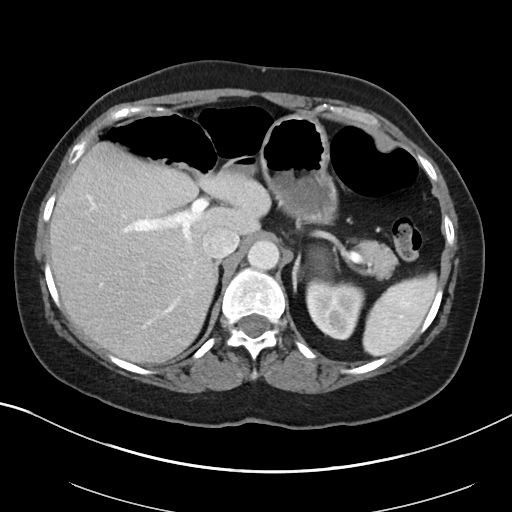
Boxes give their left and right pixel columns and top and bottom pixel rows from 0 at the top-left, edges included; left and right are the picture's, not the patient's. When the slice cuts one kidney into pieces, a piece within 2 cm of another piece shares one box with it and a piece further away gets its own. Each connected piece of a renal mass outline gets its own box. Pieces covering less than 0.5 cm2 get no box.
This is axial slice 69 of 88 (slice 1 is the lowest) of an arterial-phase abdominal CT with contrast; each pixel is 0.705 mm and the slice is 5.00 mm thick. Left kidney in the box with left 306, top 280, right 364, bottom 340 (outlined area 2,653 px, about 13.2 cm2). This slice carries no renal mass outline.
Acquired at 100 kVp and reconstructed with the I40f kernel.